Arterial-phase contrast-enhanced abdominal CT, axial slice 41 of 94 (counted from the lowest slice); tube voltage 100 kVp, convolution kernel I41f; slices 5.00 mm thick, 0.551 mm per pixel.
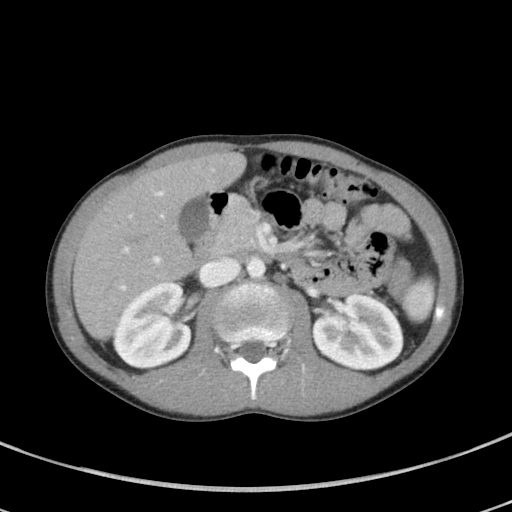
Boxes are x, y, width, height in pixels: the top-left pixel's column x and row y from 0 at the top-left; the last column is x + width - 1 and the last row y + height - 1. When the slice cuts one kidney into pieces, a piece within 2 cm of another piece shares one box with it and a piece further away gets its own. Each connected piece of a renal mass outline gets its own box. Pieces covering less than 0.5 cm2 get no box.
Boxed on this slice (two kidney boxes), listed by box centre from the image's left to its right: (1) Right kidney, box x 113, y 282, width 80, height 88 (outlined area 5,301 px, about 16.1 cm2). (2) Left kidney, box x 311, y 294, width 93, height 78 (outlined area 5,498 px, about 16.7 cm2). This slice carries no renal mass outline.